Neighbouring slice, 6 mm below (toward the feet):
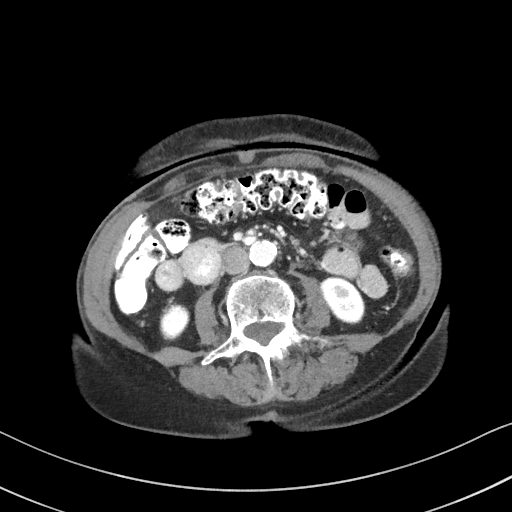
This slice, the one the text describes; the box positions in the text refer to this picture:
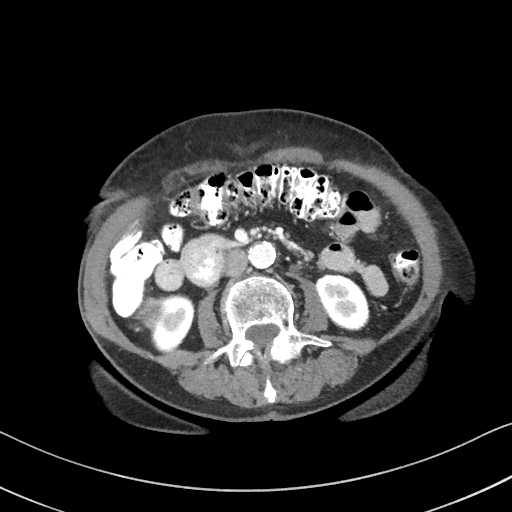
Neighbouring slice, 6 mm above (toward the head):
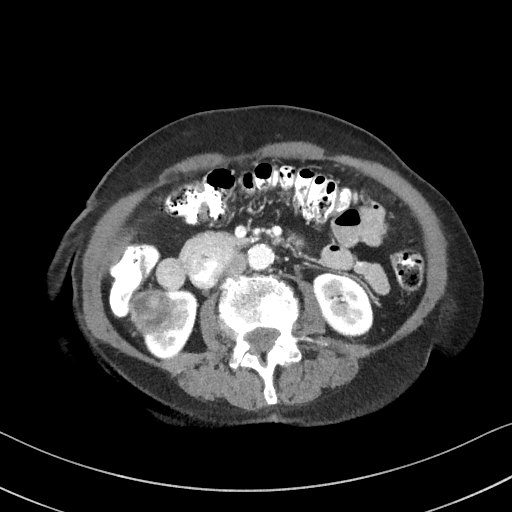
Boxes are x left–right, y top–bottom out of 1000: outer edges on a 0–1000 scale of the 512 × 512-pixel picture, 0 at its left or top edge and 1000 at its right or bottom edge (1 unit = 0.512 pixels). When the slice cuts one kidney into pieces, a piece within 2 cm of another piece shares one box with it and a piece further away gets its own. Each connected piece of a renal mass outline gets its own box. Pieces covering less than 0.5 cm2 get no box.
Slice 45/92 of a contrast-enhanced abdominal CT, counting up from the lowest; pixel size 0.684 mm, slice thickness 3.00 mm. Boxed on this slice (two kidney boxes and one renal mass box), listed by box centre from the image's left to its right: (1) Right renal mass, box x 260–328, y 582–648 out of 1000 (outlined area 780 px, about 3.6 cm2). (2) Right kidney, box x 295–379, y 574–688 out of 1000 (outlined area 1,539 px, about 7.2 cm2). (3) Left kidney at x 617–723, y 535–646 out of 1000 (outlined area 2,172 px, about 10.1 cm2). This slice is near the end of the right renal mass toward the feet, so the slices 6 mm below and 6 mm above it are shown as well; the boxes refer to this slice only.
Acquired at 100 kVp and reconstructed with the I41f kernel.